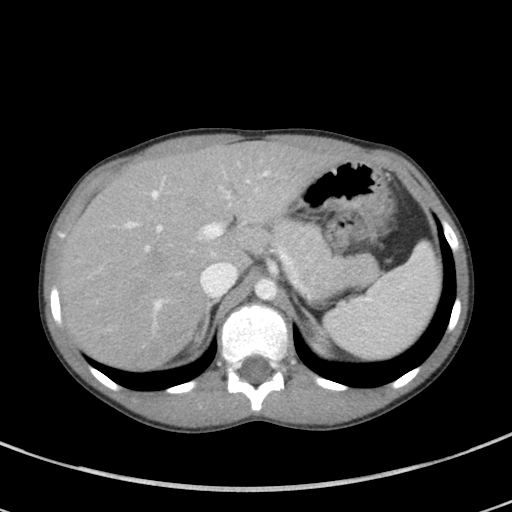
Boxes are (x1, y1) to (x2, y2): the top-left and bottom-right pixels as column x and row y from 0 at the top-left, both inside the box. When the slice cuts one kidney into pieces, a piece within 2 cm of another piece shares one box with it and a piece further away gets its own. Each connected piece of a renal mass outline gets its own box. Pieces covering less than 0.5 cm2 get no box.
Arterial-phase contrast-enhanced abdominal CT, axial slice 50 of 94 (counted from the lowest slice); 5.00 mm thick, 0.551 mm per pixel. Left kidney from (301, 320) to (333, 358) (outlined area 799 px, about 2.4 cm2). No renal mass is outlined on this slice.
Tube voltage 100 kVp; convolution kernel I41f.